One axial slice (122 of 159, counting up from the lowest) of a contrast-enhanced abdominal CT acquired with 120 kVp, kernel FC13; each pixel is 0.668 mm and the slice is 3.00 mm thick.
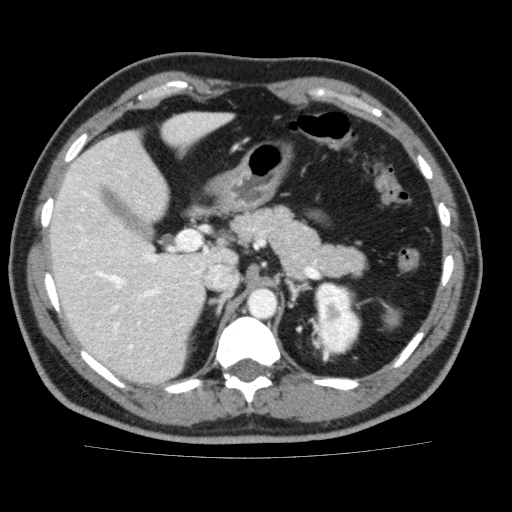
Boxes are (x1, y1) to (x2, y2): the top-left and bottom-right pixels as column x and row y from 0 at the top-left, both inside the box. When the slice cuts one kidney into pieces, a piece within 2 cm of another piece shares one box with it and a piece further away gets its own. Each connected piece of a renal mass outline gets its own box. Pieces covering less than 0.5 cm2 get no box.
Two boxes on this slice (one kidney box and one renal mass box), listed by box centre from the image's left to its right. (1) Left kidney, box (314, 281) to (354, 322) (outlined area 1,089 px, about 4.9 cm2). (2) Left renal mass, box (315, 308) to (361, 355) (outlined area 1,633 px, about 7.3 cm2).